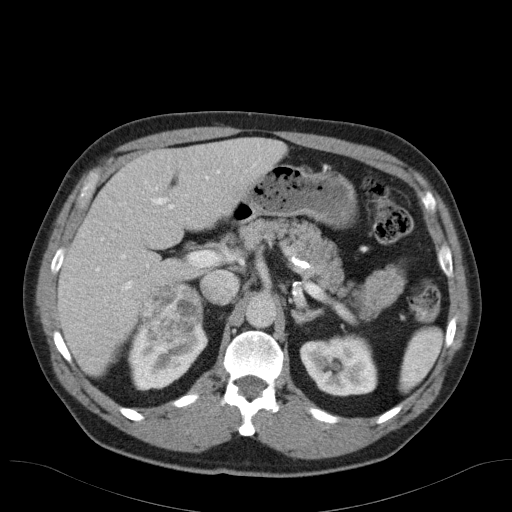
Arterial-phase contrast-enhanced abdominal CT, axial slice 75 of 98 (counted from the lowest slice); tube voltage 120 kVp, convolution kernel B31f; slices 5.00 mm thick, 0.764 mm per pixel.
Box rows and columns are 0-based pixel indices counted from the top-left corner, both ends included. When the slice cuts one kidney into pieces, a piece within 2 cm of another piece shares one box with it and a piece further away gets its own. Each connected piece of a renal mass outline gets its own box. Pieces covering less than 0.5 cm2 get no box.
Two kidney boxes and one renal mass box on this slice; by box centre, from the image's left to its right: (1) Box rows 324–391, columns 127–208: right kidney (outlined area 2,720 px, about 15.9 cm2). (2) Right renal mass at rows 282–357, columns 138–205 (outlined area 3,927 px, about 22.9 cm2). (3) Box rows 333–396, columns 299–377: left kidney (outlined area 3,835 px, about 22.4 cm2).